One axial slice (513 of 738, counting up from the lowest) of an arterial-phase abdominal CT acquired with 120 kVp, kernel I30f; each pixel is 0.789 mm and the slice is 1.00 mm thick.
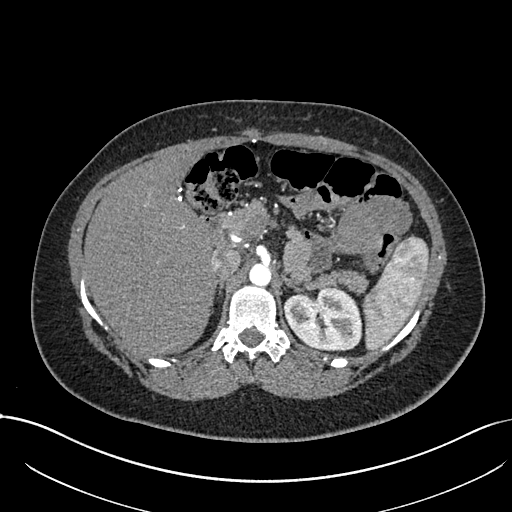
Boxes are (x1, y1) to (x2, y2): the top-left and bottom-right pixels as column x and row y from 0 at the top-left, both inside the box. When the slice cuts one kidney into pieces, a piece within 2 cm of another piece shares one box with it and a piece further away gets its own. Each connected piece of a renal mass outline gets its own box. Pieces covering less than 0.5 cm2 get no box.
Left kidney from (283, 286) to (362, 351) (outlined area 4,044 px, about 25.2 cm2). No renal mass outline on this slice.